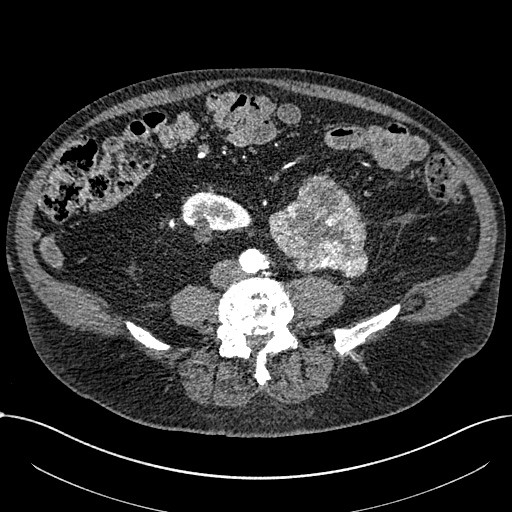
Axial slice 225 of 1059 of a contrast-enhanced abdominal CT in the arterial phase (slice 1 is the lowest), 100 kVp, kernel I30f; 1.00 mm slice thickness and 0.811 mm pixels.
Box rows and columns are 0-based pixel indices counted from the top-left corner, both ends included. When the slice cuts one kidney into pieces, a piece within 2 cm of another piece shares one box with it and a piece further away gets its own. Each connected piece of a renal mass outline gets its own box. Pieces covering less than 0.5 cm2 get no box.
One kidney box and one renal mass box on this slice; by box centre, from the image's left to its right: (1) Right part of the midline-crossing kidney, box rows 192–242, columns 181–252 (outlined area 2,318 px, about 15.2 cm2). (2) Renal mass at rows 175–278, columns 268–368 (outlined area 7,125 px, about 46.8 cm2); on this slice it lies more than 1 cm from any kidney outline, but the same outlined renal mass comes within 1 cm of the kidney on another slice.